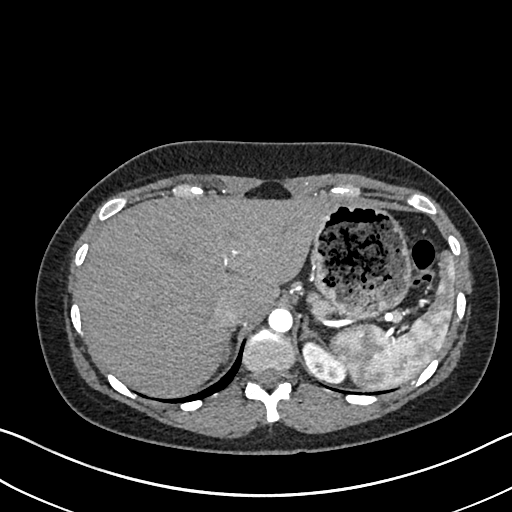
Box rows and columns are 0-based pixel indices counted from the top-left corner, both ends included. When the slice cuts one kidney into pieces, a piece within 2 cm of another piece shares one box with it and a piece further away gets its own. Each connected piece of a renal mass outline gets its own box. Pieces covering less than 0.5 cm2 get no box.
This is axial slice 550 of 612 (slice 1 is the lowest) of an arterial-phase abdominal CT with contrast; each pixel is 0.703 mm and the slice is 1.00 mm thick. Box rows 341–382, columns 302–346: left kidney (outlined area 1,216 px, about 6.0 cm2). No renal mass outline on this slice.
Scan settings: 120 kVp, I30f reconstruction kernel.